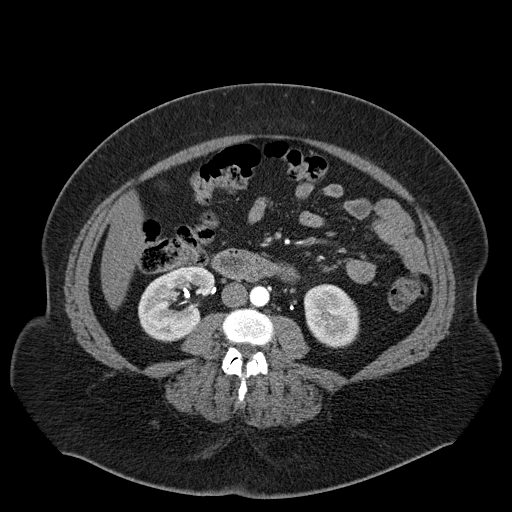
Abdominal CT with intravenous contrast, axial plane, 120 kVp, kernel B30f. Slice 28/55 from the bottom of the scan; thickness 5.00 mm; pixel size 0.908 mm.
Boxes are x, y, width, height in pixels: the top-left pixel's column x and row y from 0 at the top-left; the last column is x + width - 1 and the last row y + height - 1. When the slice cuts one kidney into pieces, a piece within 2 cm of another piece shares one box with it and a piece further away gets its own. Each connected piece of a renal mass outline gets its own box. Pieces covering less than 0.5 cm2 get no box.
Two kidney boxes on this slice; by box centre, from the image's left to its right: (1) Right kidney at x 138, y 266, width 78, height 77 (outlined area 4,015 px, about 33.1 cm2). (2) Left kidney at x 304, y 284, width 56, height 65 (outlined area 2,839 px, about 23.4 cm2). No renal mass outline on this slice.